Abdominal CT with intravenous contrast, axial plane, 120 kVp, kernel I40f. Slice 67/301 from the bottom of the scan; thickness 2.00 mm; pixel size 0.859 mm.
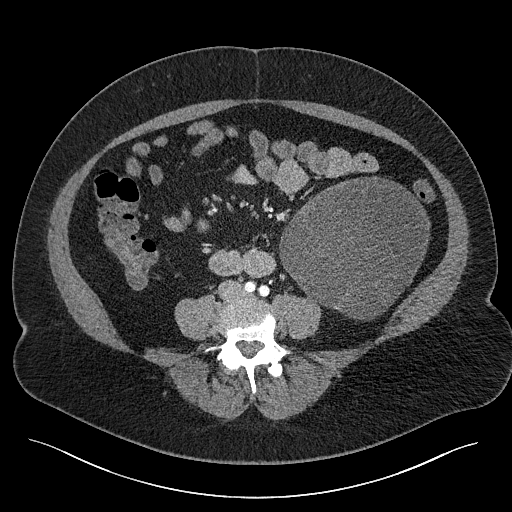
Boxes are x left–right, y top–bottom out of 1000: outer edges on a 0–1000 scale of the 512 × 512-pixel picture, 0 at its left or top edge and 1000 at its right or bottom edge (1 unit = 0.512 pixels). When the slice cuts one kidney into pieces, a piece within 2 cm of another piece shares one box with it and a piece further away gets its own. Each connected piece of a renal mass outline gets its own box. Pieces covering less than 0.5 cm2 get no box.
Left renal mass at x 545–842, y 344–627 out of 1000 (outlined area 15,694 px, about 115.9 cm2); no kidney is outlined on this slice, but the same outlined renal mass comes within 1 cm of the kidney on another slice.